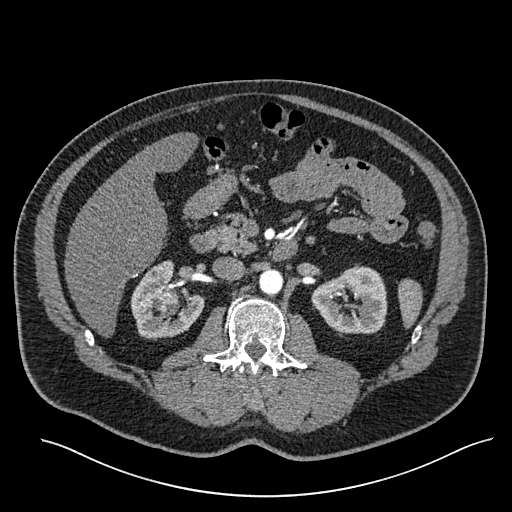
Arterial-phase contrast-enhanced abdominal CT, axial slice 340 of 527 (counted from the lowest slice); tube voltage 120 kVp, convolution kernel I30f; slices 1.00 mm thick, 0.859 mm per pixel.
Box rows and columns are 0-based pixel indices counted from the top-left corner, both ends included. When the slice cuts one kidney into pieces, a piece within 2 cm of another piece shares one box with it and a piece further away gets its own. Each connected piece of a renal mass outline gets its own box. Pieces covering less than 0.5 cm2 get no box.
Three boxes on this slice (two kidney boxes and one renal mass box), listed by box centre from the image's left to its right. (1) Right kidney, box rows 260–340, columns 130–203 (outlined area 3,652 px, about 27.0 cm2). (2) Right renal mass, box rows 289–305, columns 158–178 (outlined area 307 px, about 2.3 cm2). (3) Left kidney, box rows 266–336, columns 311–387 (outlined area 3,880 px, about 28.7 cm2).